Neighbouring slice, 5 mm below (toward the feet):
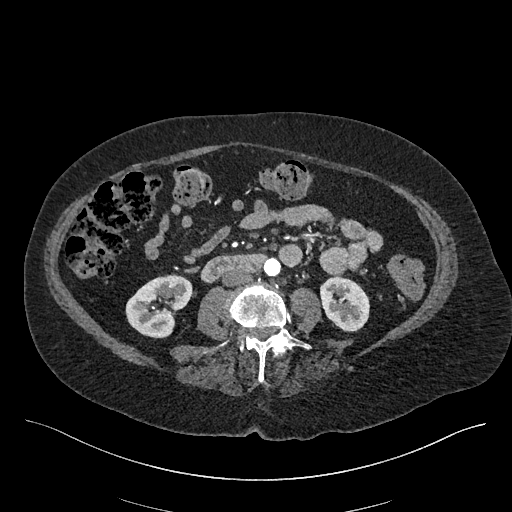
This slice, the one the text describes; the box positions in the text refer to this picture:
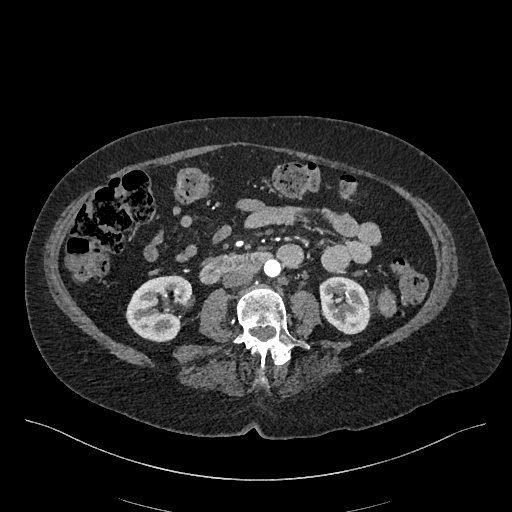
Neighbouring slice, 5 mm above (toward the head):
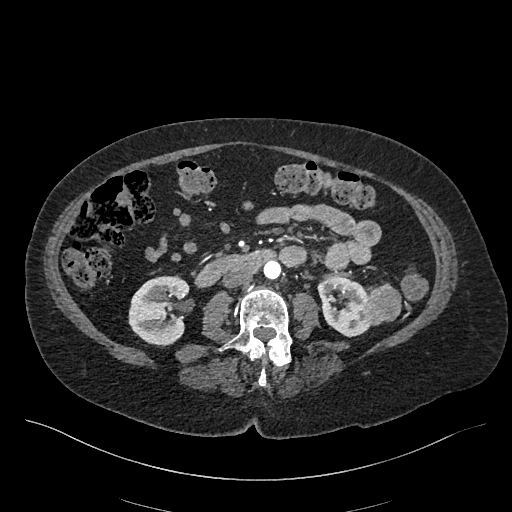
Arterial-phase contrast-enhanced abdominal CT, axial slice 198 of 548 (counted from the lowest slice); tube voltage 120 kVp, convolution kernel I26f; slices 1.00 mm thick, 0.852 mm per pixel.
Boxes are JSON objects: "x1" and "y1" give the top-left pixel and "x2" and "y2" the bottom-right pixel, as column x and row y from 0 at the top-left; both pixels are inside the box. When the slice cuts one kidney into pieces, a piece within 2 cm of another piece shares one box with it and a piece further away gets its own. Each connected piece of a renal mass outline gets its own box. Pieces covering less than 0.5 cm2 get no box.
Three boxes on this slice (two kidney boxes and one renal mass box), listed by box centre from the image's left to its right. (1) Box {"x1": 125, "y1": 274, "x2": 191, "y2": 342}: right kidney (outlined area 3,201 px, about 23.2 cm2). (2) Left kidney at {"x1": 319, "y1": 276, "x2": 369, "y2": 334} (outlined area 2,367 px, about 17.2 cm2). (3) Box {"x1": 377, "y1": 288, "x2": 396, "y2": 317}: left renal mass (outlined area 426 px, about 3.1 cm2). This slice is near the end of the left renal mass toward the feet, so the slices 5 mm below and 5 mm above it are shown as well; the boxes refer to this slice only.